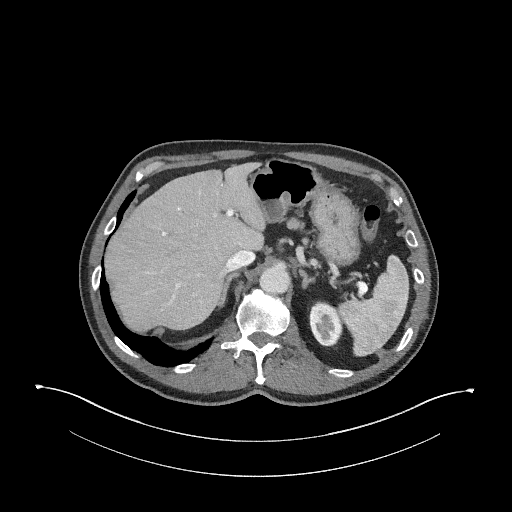
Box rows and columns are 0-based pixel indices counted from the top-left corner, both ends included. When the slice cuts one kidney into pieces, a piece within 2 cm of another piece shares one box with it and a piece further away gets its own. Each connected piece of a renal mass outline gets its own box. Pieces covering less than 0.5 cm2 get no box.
This is axial slice 184 of 345 (slice 1 is the lowest) of an arterial-phase abdominal CT with contrast; each pixel is 0.977 mm and the slice is 2.00 mm thick. Left kidney at rows 301–346, columns 309–342 (outlined area 1,215 px, about 11.6 cm2). No renal mass outline on this slice.
Scan settings: 120 kVp, I31f reconstruction kernel.